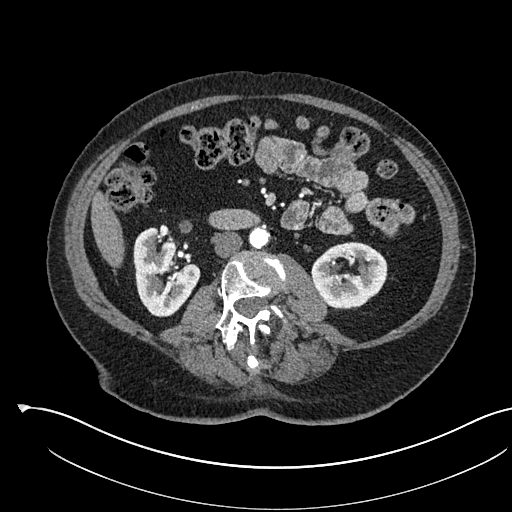
One axial slice (276 of 541, counting up from the lowest) of an arterial-phase abdominal CT acquired with 120 kVp, kernel I30f; each pixel is 0.834 mm and the slice is 1.00 mm thick.
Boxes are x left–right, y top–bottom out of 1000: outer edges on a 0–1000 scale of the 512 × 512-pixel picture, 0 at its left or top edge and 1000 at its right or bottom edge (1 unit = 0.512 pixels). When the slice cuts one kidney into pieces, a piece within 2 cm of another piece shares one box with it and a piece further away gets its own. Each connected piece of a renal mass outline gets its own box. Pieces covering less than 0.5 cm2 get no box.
Boxed on this slice (two kidney boxes), listed by box centre from the image's left to its right: (1) Box x 260–393, y 441–621 out of 1000: right kidney (outlined area 4,106 px, about 28.6 cm2). (2) Left kidney, box x 607–758, y 473–602 out of 1000 (outlined area 3,767 px, about 26.2 cm2). No renal mass outline on this slice.